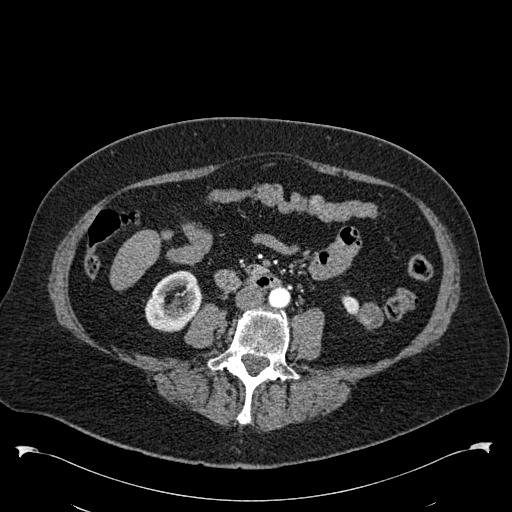
Arterial-phase contrast-enhanced abdominal CT, axial slice 229 of 538 (counted from the lowest slice); tube voltage 120 kVp, convolution kernel B30f; slices 1.00 mm thick, 0.811 mm per pixel.
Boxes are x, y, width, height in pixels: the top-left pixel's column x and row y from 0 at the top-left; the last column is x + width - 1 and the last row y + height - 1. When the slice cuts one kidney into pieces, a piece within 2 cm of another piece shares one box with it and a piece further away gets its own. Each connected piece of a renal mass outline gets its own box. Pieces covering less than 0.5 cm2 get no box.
Boxed on this slice (two kidney boxes and one renal mass box), listed by box centre from the image's left to its right: (1) Box x 144, y 270, width 59, height 63: right kidney (outlined area 2,529 px, about 16.6 cm2). (2) Box x 341, y 293, width 19, height 22: left kidney (outlined area 266 px, about 1.7 cm2). (3) Box x 354, y 302, width 30, height 28: left renal mass (outlined area 547 px, about 3.6 cm2).